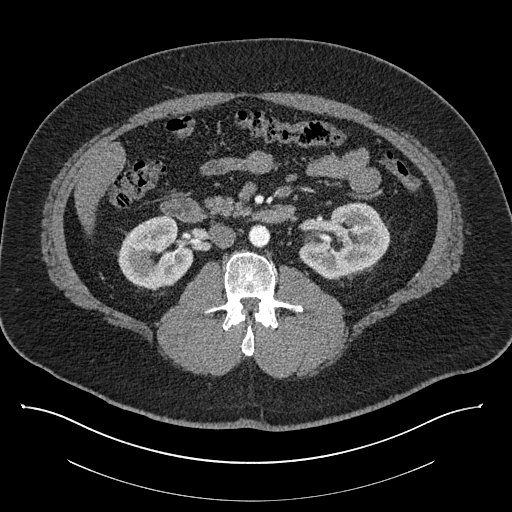
Axial slice 474 of 787 of a contrast-enhanced abdominal CT (slice 1 is the lowest), 140 kVp, kernel I30f; 1.00 mm slice thickness and 0.910 mm pixels.
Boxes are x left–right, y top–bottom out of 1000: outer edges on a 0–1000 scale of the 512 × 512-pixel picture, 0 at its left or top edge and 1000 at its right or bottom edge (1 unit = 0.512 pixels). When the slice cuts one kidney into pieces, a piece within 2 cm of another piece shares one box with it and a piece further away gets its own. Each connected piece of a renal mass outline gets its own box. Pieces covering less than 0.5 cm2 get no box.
Two kidney boxes on this slice; by box centre, from the image's left to its right: (1) Right kidney, box x 229–379, y 420–566 out of 1000 (outlined area 4,112 px, about 34.1 cm2). (2) Left kidney, box x 582–764, y 395–547 out of 1000 (outlined area 4,941 px, about 40.9 cm2). No renal mass outline on this slice.